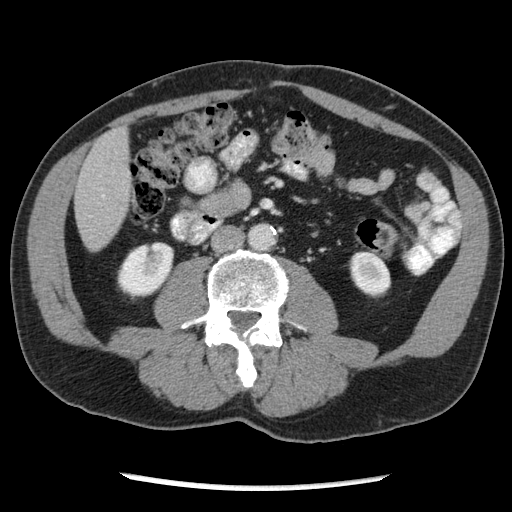
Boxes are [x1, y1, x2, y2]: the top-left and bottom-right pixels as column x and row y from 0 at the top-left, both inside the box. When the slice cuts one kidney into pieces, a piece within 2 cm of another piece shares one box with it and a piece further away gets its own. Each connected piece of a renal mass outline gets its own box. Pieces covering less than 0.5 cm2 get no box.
Slice 103/262 of a contrast-enhanced abdominal CT in the arterial phase, counting up from the lowest; pixel size 0.703 mm, slice thickness 2.50 mm. Two kidney boxes on this slice; by box centre, from the image's left to its right: (1) Box [116, 241, 174, 300]: right kidney (outlined area 2,474 px, about 12.2 cm2). (2) Box [348, 251, 391, 296]: left kidney (outlined area 1,491 px, about 7.4 cm2). This slice carries no renal mass outline.
Scan settings: 120 kVp, STANDARD reconstruction kernel.